Axial slice 400 of 602 of a contrast-enhanced abdominal CT in the arterial phase (slice 1 is the lowest), 120 kVp, kernel I30f; 1.00 mm slice thickness and 0.799 mm pixels.
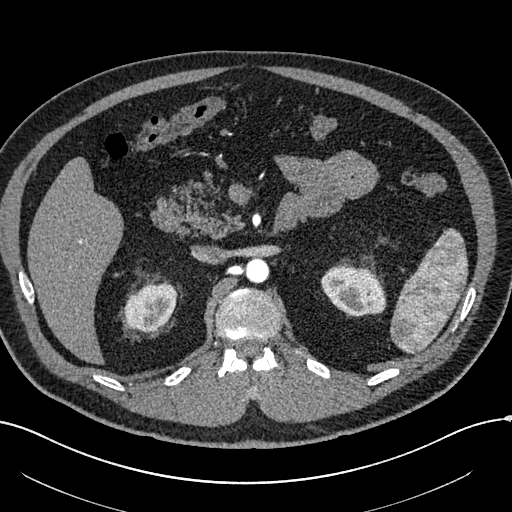
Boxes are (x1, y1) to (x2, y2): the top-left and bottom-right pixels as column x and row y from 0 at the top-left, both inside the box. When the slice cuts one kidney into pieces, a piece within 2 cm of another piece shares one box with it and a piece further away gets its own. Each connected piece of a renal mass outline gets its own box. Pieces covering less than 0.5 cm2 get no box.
Two boxes on this slice (two kidney boxes), listed by box centre from the image's left to its right. (1) Box (124, 282) to (176, 331): right kidney (outlined area 2,011 px, about 12.8 cm2). (2) Box (320, 264) to (386, 316): left kidney (outlined area 2,570 px, about 16.4 cm2). No renal mass outline on this slice.